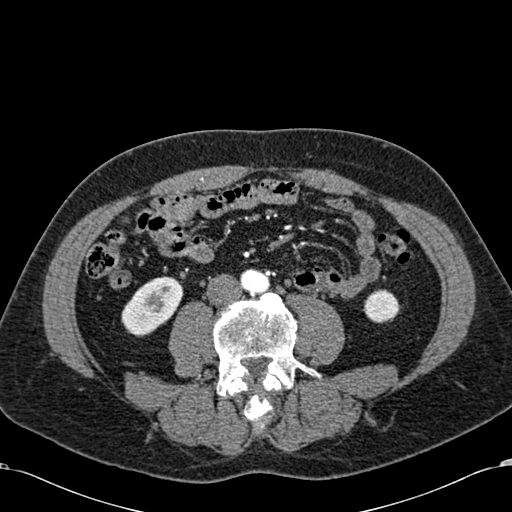
Arterial-phase contrast-enhanced abdominal CT, axial slice 218 of 581 (counted from the lowest slice); tube voltage 120 kVp, convolution kernel B30f; slices 1.00 mm thick, 0.713 mm per pixel.
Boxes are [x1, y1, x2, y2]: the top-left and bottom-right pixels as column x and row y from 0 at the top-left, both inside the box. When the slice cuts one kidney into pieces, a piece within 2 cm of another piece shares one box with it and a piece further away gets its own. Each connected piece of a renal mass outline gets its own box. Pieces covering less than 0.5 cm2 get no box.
Two boxes on this slice (two kidney boxes), listed by box centre from the image's left to its right. (1) Right kidney at [121, 276, 183, 336] (outlined area 2,517 px, about 12.8 cm2). (2) Box [363, 289, 398, 323]: left kidney (outlined area 950 px, about 4.8 cm2). No renal mass is outlined on this slice.